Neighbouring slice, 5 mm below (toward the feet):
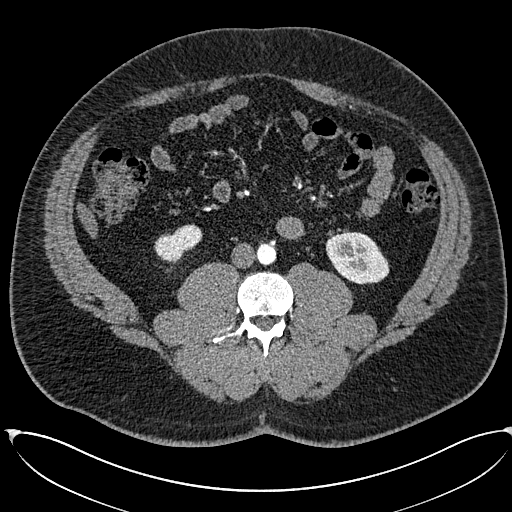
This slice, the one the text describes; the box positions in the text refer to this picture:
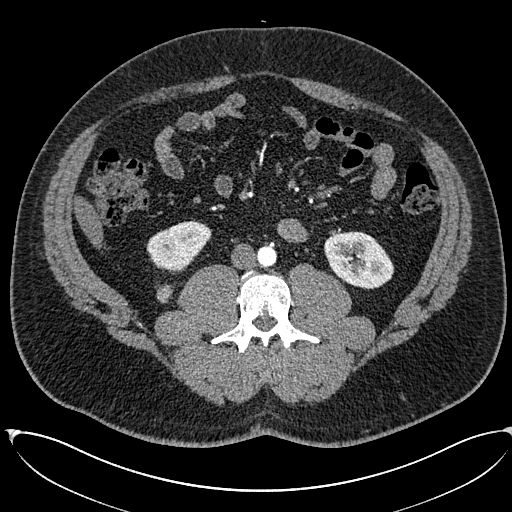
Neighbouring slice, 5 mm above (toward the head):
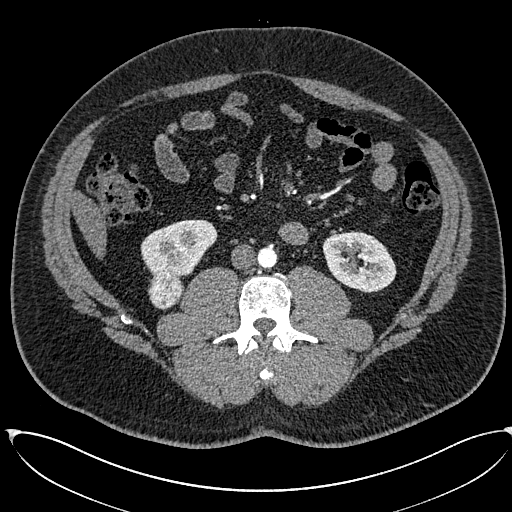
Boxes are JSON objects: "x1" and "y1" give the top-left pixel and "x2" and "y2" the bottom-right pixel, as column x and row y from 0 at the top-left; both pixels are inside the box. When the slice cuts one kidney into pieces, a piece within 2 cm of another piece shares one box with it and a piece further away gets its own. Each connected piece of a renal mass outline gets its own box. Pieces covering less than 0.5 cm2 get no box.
Arterial-phase contrast-enhanced abdominal CT, axial slice 261 of 673 (counted from the lowest slice); 1.00 mm thick, 0.855 mm per pixel. Boxed on this slice (two kidney boxes and one renal mass box), listed by box centre from the image's left to its right: (1) Right renal mass, box {"x1": 156, "y1": 284, "x2": 173, "y2": 302} (outlined area 251 px, about 1.8 cm2); it sits over 1 cm from every kidney outline on this slice, but the same outlined renal mass comes within 1 cm of the kidney on another slice. (2) Box {"x1": 146, "y1": 220, "x2": 211, "y2": 271}: right kidney (outlined area 2,311 px, about 16.9 cm2). (3) Box {"x1": 324, "y1": 231, "x2": 394, "y2": 289}: left kidney (outlined area 2,996 px, about 21.9 cm2). This slice is near the end of the right renal mass toward the feet, so the slices 5 mm below and 5 mm above it are shown as well; the boxes refer to this slice only.
Tube voltage 120 kVp; convolution kernel I30f.